Axial slice 264 of 512 of a contrast-enhanced abdominal CT in the arterial phase (slice 1 is the lowest), 120 kVp, kernel B30f; 1.00 mm slice thickness and 0.771 mm pixels.
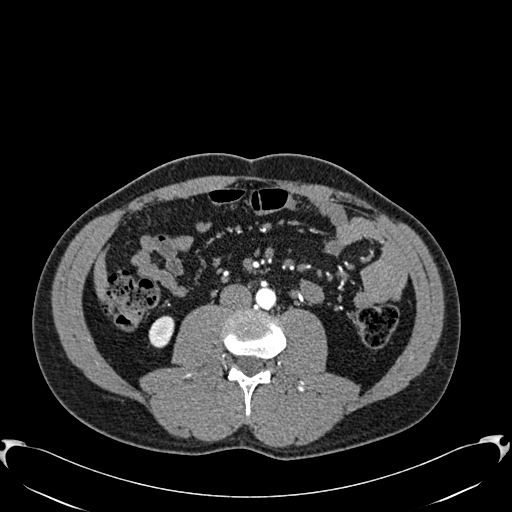
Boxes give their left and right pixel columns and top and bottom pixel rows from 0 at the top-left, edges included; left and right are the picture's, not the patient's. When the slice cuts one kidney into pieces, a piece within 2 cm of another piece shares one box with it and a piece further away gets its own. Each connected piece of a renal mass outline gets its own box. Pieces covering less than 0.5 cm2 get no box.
Right kidney in the box with left 148, top 315, right 174, bottom 348 (outlined area 660 px, about 3.9 cm2). No renal mass is outlined on this slice.